One axial slice (227 of 314, counting up from the lowest) of a contrast-enhanced abdominal CT acquired with 130 kVp, kernel B31s; each pixel is 0.934 mm and the slice is 2.50 mm thick.
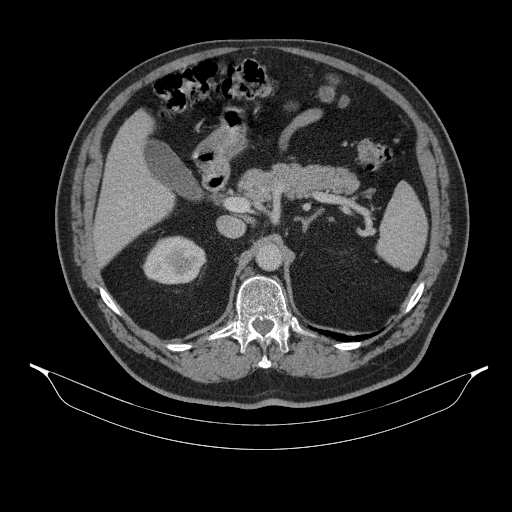
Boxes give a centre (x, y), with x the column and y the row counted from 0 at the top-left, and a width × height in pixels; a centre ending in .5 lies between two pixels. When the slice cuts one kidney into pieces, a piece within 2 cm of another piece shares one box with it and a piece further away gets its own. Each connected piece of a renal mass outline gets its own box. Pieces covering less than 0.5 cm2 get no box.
Box centre (174, 259.5), 65 × 50 pixels: right kidney (outlined area 2,393 px, about 20.9 cm2). No renal mass outline on this slice.